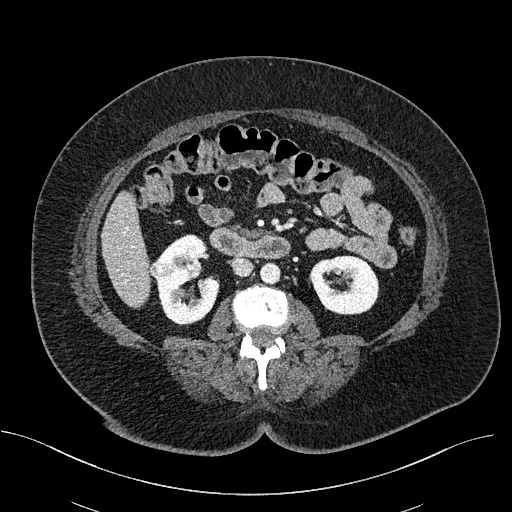
Axial slice 282 of 470 of a contrast-enhanced abdominal CT (slice 1 is the lowest), 100 kVp, kernel I40f; 2.00 mm slice thickness and 0.824 mm pixels.
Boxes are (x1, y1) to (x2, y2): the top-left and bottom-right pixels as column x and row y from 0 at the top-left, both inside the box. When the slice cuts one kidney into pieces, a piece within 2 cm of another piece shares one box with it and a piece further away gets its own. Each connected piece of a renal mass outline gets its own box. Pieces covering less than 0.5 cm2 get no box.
Boxed on this slice (two kidney boxes and one renal mass box), listed by box centre from the image's left to its right: (1) Right renal mass, box (149, 262) to (164, 277) (outlined area 214 px, about 1.5 cm2). (2) Right kidney from (155, 234) to (219, 324) (outlined area 4,000 px, about 27.2 cm2). (3) Left kidney from (309, 255) to (378, 314) (outlined area 3,194 px, about 21.7 cm2).